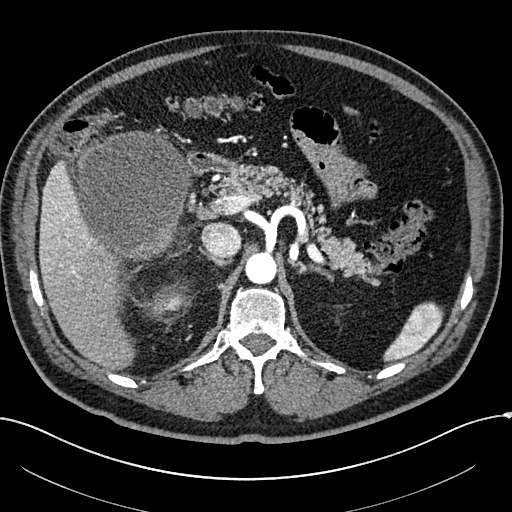
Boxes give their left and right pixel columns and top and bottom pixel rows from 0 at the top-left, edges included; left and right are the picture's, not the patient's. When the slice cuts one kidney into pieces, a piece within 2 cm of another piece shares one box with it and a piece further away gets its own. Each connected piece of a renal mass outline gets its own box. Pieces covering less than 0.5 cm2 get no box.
Arterial-phase contrast-enhanced abdominal CT, axial slice 166 of 304 (counted from the lowest slice); 2.00 mm thick, 0.809 mm per pixel. One kidney box and one renal mass box on this slice; by box centre, from the image's left to its right: (1) Right renal mass, the box with left 78, top 130, right 193, bottom 265 (outlined area 11,607 px, about 75.9 cm2); on this slice it lies more than 1 cm from any kidney outline, but the same outlined renal mass comes within 1 cm of the kidney on another slice. (2) Right kidney, the box with left 154, top 285, right 186, bottom 314 (outlined area 694 px, about 4.5 cm2).
Tube voltage 100 kVp; convolution kernel I30f.